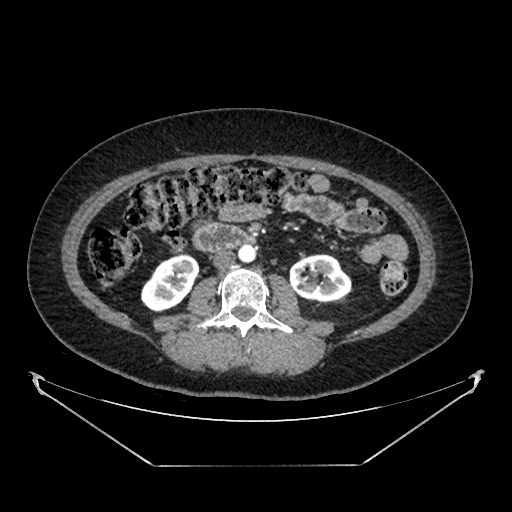
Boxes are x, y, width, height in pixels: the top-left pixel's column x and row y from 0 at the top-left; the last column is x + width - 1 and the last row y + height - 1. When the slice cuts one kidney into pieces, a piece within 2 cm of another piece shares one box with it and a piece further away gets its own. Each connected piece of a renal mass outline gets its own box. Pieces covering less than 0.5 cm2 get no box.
Slice 203/383 of a contrast-enhanced abdominal CT in the arterial phase, counting up from the lowest; pixel size 0.898 mm, slice thickness 1.25 mm. Two boxes on this slice (two kidney boxes), listed by box centre from the image's left to its right. (1) Right kidney at x 140, y 253, width 60, height 60 (outlined area 2,340 px, about 18.9 cm2). (2) Left kidney, box x 289, y 254, width 63, height 49 (outlined area 2,334 px, about 18.8 cm2). No renal mass is outlined on this slice.
Scan settings: 100 kVp, SOFT reconstruction kernel.